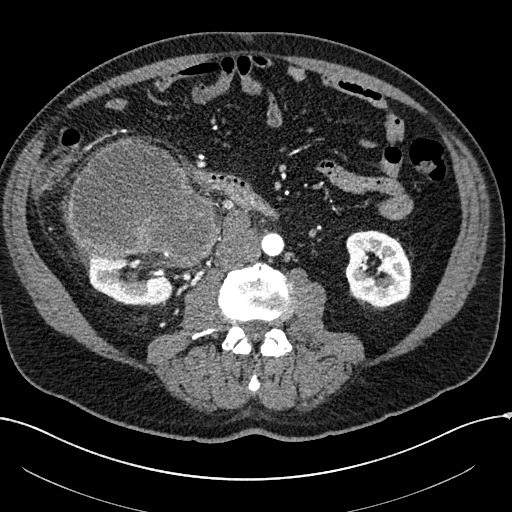
One axial slice (75 of 304, counting up from the lowest) of an arterial-phase abdominal CT acquired with 100 kVp, kernel I30f; each pixel is 0.809 mm and the slice is 2.00 mm thick.
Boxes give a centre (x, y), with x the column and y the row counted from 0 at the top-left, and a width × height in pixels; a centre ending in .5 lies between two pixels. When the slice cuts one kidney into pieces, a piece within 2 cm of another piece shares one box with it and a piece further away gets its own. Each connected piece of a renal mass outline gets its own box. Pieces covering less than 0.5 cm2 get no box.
Three boxes on this slice (two kidney boxes and one renal mass box), listed by box centre from the image's left to its right. (1) Right kidney in a box with centre (132, 279), 91 × 53 pixels (outlined area 3,474 px, about 22.7 cm2). (2) Right renal mass, box centre (142.5, 203), 154 × 131 pixels (outlined area 14,385 px, about 94.1 cm2). (3) Left kidney, box centre (378, 268), 67 × 77 pixels (outlined area 4,009 px, about 26.2 cm2).